Arterial-phase contrast-enhanced abdominal CT, axial slice 136 of 285 (counted from the lowest slice); tube voltage 120 kVp, convolution kernel B31f; slices 2.00 mm thick, 0.762 mm per pixel.
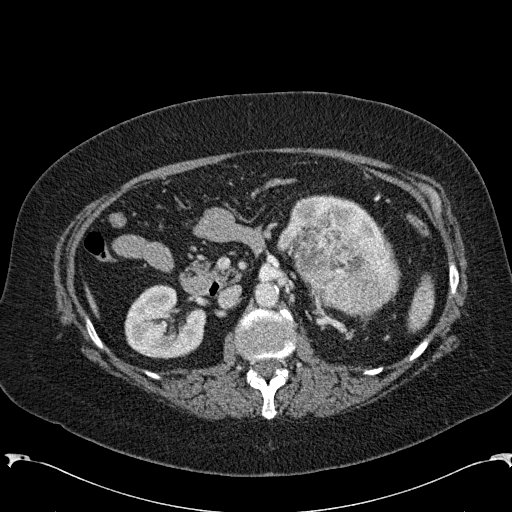
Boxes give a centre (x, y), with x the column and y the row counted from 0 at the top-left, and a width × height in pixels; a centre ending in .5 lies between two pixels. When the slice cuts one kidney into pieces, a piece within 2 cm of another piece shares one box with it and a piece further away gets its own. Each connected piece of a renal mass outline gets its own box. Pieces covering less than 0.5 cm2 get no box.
Three boxes on this slice (two kidney boxes and one renal mass box), listed by box centre from the image's left to its right. (1) Box centre (164.5, 321), 82 × 75 pixels: right kidney (outlined area 4,413 px, about 25.6 cm2). (2) Left kidney, box centre (331, 224.5), 109 × 62 pixels (outlined area 2,895 px, about 16.8 cm2). (3) Box centre (345.5, 270.5), 112 × 98 pixels: left renal mass (outlined area 7,613 px, about 44.2 cm2).